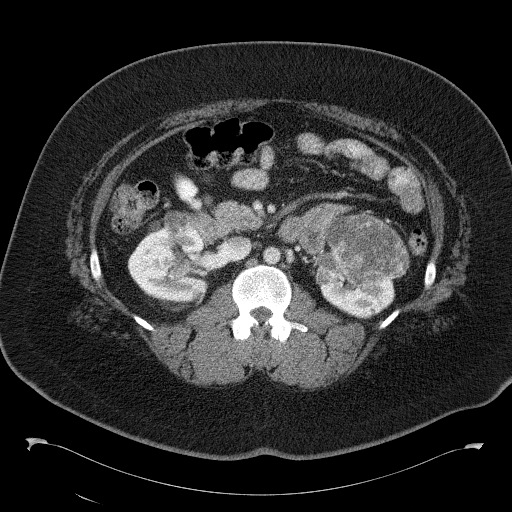
Abdominal CT with intravenous contrast, axial plane, 120 kVp, kernel B41f. Slice 75/146 from the bottom of the scan; thickness 5.00 mm; pixel size 0.840 mm.
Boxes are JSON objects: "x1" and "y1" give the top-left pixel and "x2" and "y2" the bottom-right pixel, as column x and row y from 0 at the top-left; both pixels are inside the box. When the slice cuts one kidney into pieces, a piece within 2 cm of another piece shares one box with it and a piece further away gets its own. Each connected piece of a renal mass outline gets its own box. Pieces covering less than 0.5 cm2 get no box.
Five boxes on this slice (two kidney boxes and three renal mass boxes), listed by box centre from the image's left to its right. (1) Kidney at {"x1": 127, "y1": 221, "x2": 207, "y2": 301} (outlined area 4,542 px, about 32.0 cm2). (2) Renal mass at {"x1": 163, "y1": 211, "x2": 189, "y2": 234} (outlined area 520 px, about 3.7 cm2). (3) Box {"x1": 170, "y1": 259, "x2": 190, "y2": 278}: renal mass (outlined area 280 px, about 2.0 cm2). (4) Box {"x1": 312, "y1": 249, "x2": 395, "y2": 319}: kidney (outlined area 2,839 px, about 20.0 cm2). (5) Renal mass, box {"x1": 324, "y1": 213, "x2": 409, "y2": 284} (outlined area 4,624 px, about 32.6 cm2).